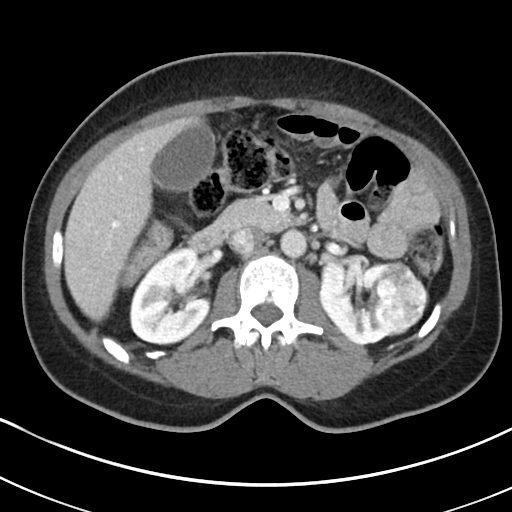
Axial slice 118 of 178 of a contrast-enhanced abdominal CT (slice 1 is the lowest), 100 kVp, kernel I30f; 5.00 mm slice thickness and 0.650 mm pixels.
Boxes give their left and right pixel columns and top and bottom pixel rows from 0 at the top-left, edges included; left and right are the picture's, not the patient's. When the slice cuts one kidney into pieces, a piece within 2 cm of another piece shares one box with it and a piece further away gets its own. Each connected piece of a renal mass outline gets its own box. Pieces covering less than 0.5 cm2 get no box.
Boxed on this slice (two kidney boxes and one renal mass box), listed by box centre from the image's left to its right: (1) Right kidney in the box with left 129, top 247, right 212, bottom 345 (outlined area 6,054 px, about 25.6 cm2). (2) Left kidney in the box with left 320, top 260, right 390, bottom 343 (outlined area 4,231 px, about 17.9 cm2). (3) Left renal mass in the box with left 375, top 260, right 426, bottom 335 (outlined area 2,993 px, about 12.7 cm2).